One axial slice (148 of 285, counting up from the lowest) of an arterial-phase abdominal CT acquired with 120 kVp, kernel B31f; each pixel is 0.762 mm and the slice is 2.00 mm thick.
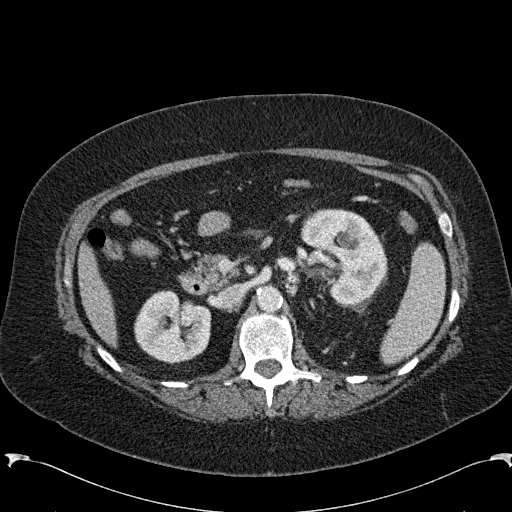
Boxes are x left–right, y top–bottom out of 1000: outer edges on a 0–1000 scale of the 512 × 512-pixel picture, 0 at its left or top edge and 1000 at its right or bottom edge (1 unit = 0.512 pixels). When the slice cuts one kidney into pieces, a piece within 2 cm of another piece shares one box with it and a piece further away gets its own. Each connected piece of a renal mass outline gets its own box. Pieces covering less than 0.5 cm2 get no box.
Boxed on this slice (two kidney boxes), listed by box centre from the image's left to its right: (1) Box x 262–414, y 564–711 out of 1000: right kidney (outlined area 4,344 px, about 25.2 cm2). (2) Box x 586–758, y 406–596 out of 1000: left kidney (outlined area 6,016 px, about 34.9 cm2). No renal mass is outlined on this slice.